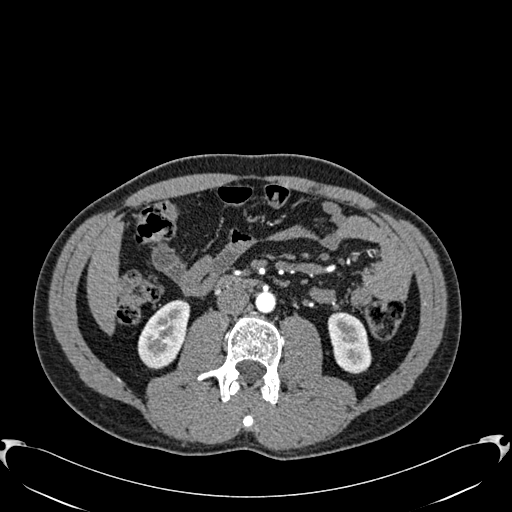
Arterial-phase contrast-enhanced abdominal CT, axial slice 293 of 512 (counted from the lowest slice); tube voltage 120 kVp, convolution kernel B30f; slices 1.00 mm thick, 0.771 mm per pixel.
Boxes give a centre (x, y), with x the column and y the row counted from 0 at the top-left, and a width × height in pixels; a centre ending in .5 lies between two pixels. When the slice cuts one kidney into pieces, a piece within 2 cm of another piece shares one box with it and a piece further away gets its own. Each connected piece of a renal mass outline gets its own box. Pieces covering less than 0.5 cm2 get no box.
Two boxes on this slice (two kidney boxes), listed by box centre from the image's left to its right. (1) Right kidney, box centre (163.5, 334), 54 × 71 pixels (outlined area 2,571 px, about 15.3 cm2). (2) Left kidney in a box with centre (349, 342.5), 45 × 62 pixels (outlined area 2,061 px, about 12.3 cm2). This slice carries no renal mass outline.